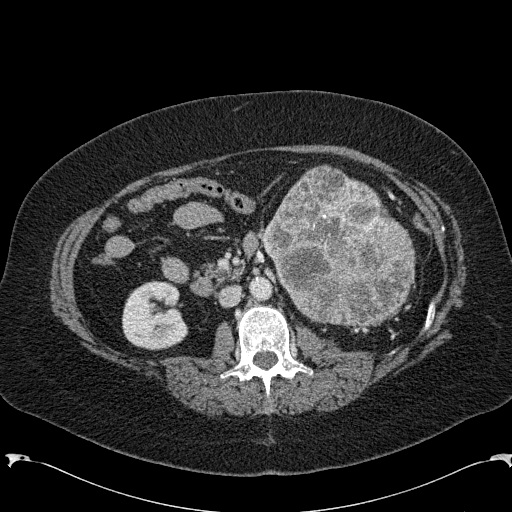
Arterial-phase contrast-enhanced abdominal CT, axial slice 118 of 285 (counted from the lowest slice); tube voltage 120 kVp, convolution kernel B31f; slices 2.00 mm thick, 0.762 mm per pixel.
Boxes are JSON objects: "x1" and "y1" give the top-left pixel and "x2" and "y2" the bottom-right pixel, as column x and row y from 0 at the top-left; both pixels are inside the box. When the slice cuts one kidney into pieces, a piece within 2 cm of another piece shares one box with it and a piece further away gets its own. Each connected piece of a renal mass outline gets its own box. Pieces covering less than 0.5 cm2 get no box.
Boxed on this slice (one kidney box and one renal mass box), listed by box centre from the image's left to its right: (1) Right kidney, box {"x1": 122, "y1": 280, "x2": 188, "y2": 350} (outlined area 3,635 px, about 21.1 cm2). (2) Box {"x1": 261, "y1": 164, "x2": 415, "y2": 326}: left renal mass (outlined area 17,906 px, about 103.9 cm2); on this slice it lies more than 1 cm from any kidney outline, but the same outlined renal mass comes within 1 cm of the kidney on another slice.